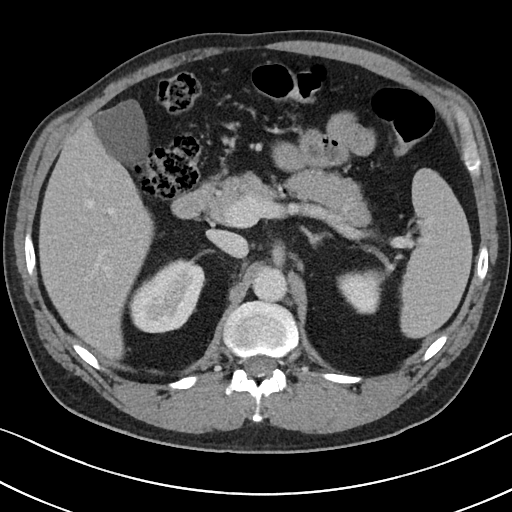
Axial slice 73 of 101 of a contrast-enhanced abdominal CT (slice 1 is the lowest), 100 kVp, kernel I40f; 5.00 mm slice thickness and 0.684 mm pixels.
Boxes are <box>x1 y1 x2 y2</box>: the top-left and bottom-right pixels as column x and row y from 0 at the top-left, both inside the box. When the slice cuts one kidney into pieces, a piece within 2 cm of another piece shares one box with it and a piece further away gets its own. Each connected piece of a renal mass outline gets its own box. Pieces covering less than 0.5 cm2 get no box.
Two kidney boxes on this slice; by box centre, from the image's left to its right: (1) Right kidney at <box>128 258 205 333</box> (outlined area 4,049 px, about 18.9 cm2). (2) At <box>337 269 387 314</box>: left kidney (outlined area 1,600 px, about 7.5 cm2). This slice carries no renal mass outline.